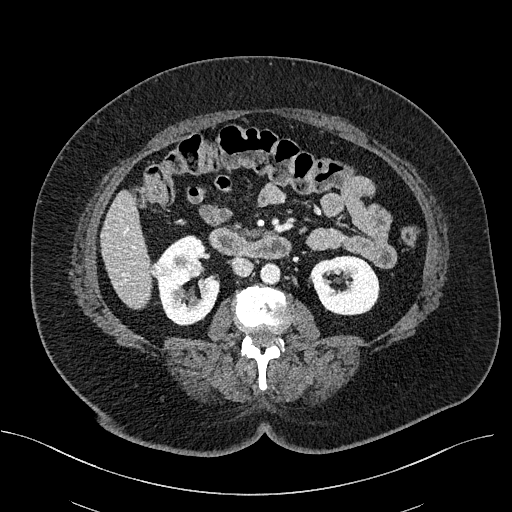
Abdominal CT with intravenous contrast, axial plane, 100 kVp, kernel I40f. Slice 283/470 from the bottom of the scan; thickness 2.00 mm; pixel size 0.824 mm.
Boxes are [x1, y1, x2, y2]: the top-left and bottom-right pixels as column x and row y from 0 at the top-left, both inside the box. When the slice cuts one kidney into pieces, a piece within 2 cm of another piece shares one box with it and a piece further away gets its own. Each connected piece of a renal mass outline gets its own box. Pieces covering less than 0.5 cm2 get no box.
Two kidney boxes and one renal mass box on this slice; by box centre, from the image's left to its right: (1) Right renal mass at [149, 262, 164, 278] (outlined area 214 px, about 1.5 cm2). (2) Right kidney, box [155, 235, 219, 325] (outlined area 3,989 px, about 27.1 cm2). (3) Left kidney, box [310, 255, 379, 315] (outlined area 3,237 px, about 22.0 cm2).